One axial slice (24 of 107, counting up from the lowest) of a contrast-enhanced abdominal CT acquired with 120 kVp, kernel B31f; each pixel is 0.941 mm and the slice is 5.00 mm thick.
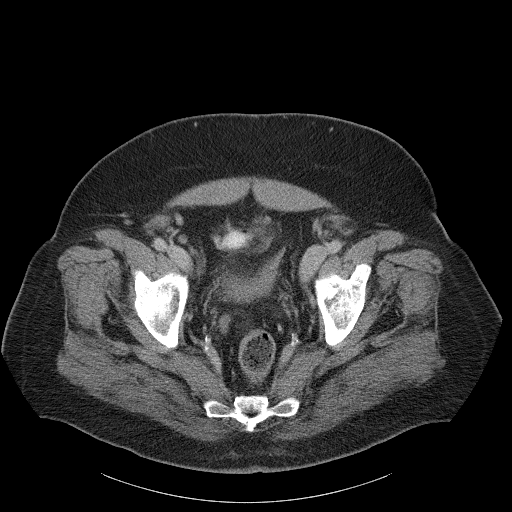
This slice carries no outline: it lies beyond the outlined kidneys and beyond every outlined renal mass. Other organs are not outlined in this scan.